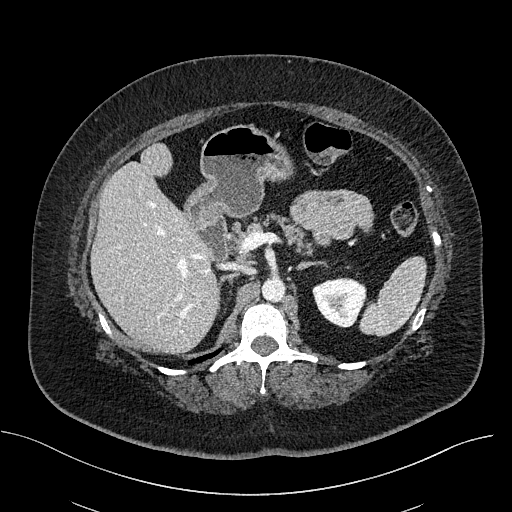
Abdominal CT with intravenous contrast, axial plane, 100 kVp, kernel I40f. Slice 333/470 from the bottom of the scan; thickness 2.00 mm; pixel size 0.824 mm.
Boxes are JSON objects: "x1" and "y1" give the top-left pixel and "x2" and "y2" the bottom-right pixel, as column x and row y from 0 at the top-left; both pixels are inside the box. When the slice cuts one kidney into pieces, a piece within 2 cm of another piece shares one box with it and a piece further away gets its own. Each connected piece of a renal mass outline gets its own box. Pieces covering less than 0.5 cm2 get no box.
Left kidney, box {"x1": 312, "y1": 277, "x2": 366, "y2": 327} (outlined area 2,027 px, about 13.8 cm2). This slice carries no renal mass outline.